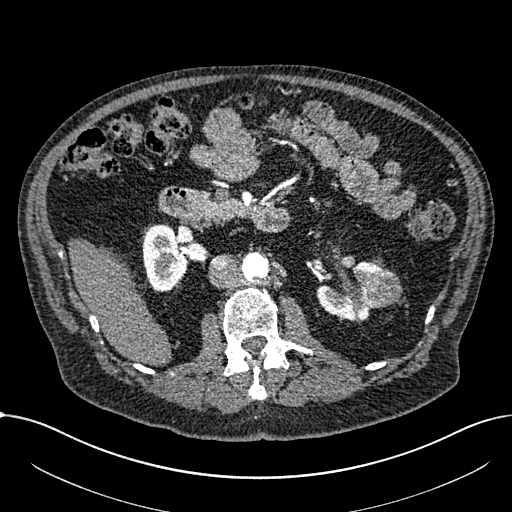
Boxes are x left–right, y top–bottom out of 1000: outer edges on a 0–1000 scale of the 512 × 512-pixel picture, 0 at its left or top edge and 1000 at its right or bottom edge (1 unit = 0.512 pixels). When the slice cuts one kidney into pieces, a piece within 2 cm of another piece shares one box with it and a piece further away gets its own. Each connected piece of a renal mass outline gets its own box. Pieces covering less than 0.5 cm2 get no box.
Slice 396/1059 of a contrast-enhanced abdominal CT in the arterial phase, counting up from the lowest; pixel size 0.811 mm, slice thickness 1.00 mm. Three boxes on this slice (two kidney boxes and one renal mass box), listed by box centre from the image's left to its right. (1) Right part of the midline-crossing kidney at x 277–369, y 438–570 out of 1000 (outlined area 2,364 px, about 15.5 cm2). (2) Left part of the midline-crossing kidney at x 617–760, y 510–627 out of 1000 (outlined area 2,066 px, about 13.6 cm2). (3) Renal mass at x 703–787, y 527–602 out of 1000 (outlined area 1,224 px, about 8.0 cm2).
Tube voltage 100 kVp; convolution kernel I30f.